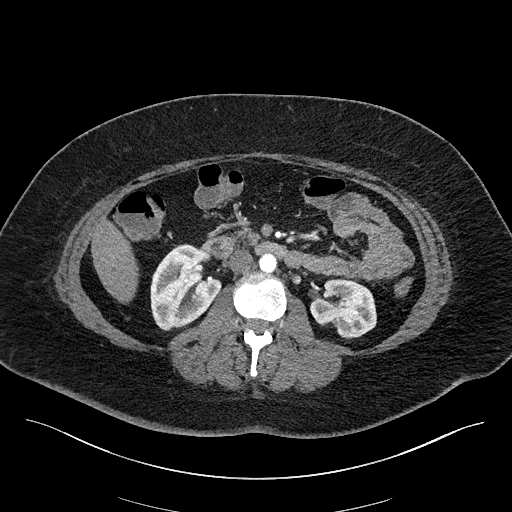
Axial slice 95 of 270 of a contrast-enhanced abdominal CT in the arterial phase (slice 1 is the lowest), 100 kVp, kernel I40f; 2.00 mm slice thickness and 0.855 mm pixels.
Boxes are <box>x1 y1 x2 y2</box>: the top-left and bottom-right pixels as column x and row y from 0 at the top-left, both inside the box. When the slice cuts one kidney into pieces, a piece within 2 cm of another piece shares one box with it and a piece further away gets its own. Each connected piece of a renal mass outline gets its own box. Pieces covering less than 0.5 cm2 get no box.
Two boxes on this slice (two kidney boxes), listed by box centre from the image's left to its right. (1) Right kidney at <box>150 243 221 330</box> (outlined area 4,324 px, about 31.6 cm2). (2) At <box>310 278 376 339</box>: left kidney (outlined area 2,947 px, about 21.6 cm2). No renal mass is outlined on this slice.